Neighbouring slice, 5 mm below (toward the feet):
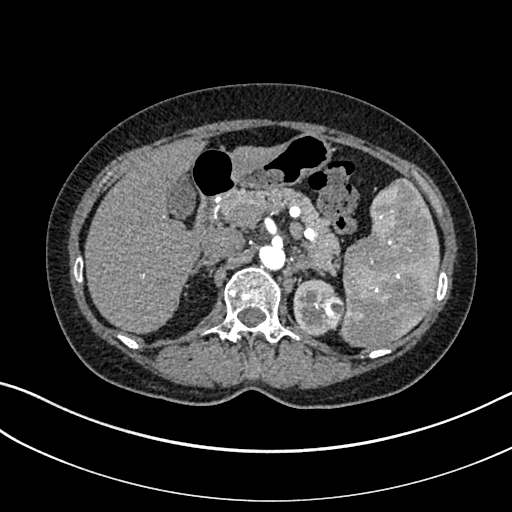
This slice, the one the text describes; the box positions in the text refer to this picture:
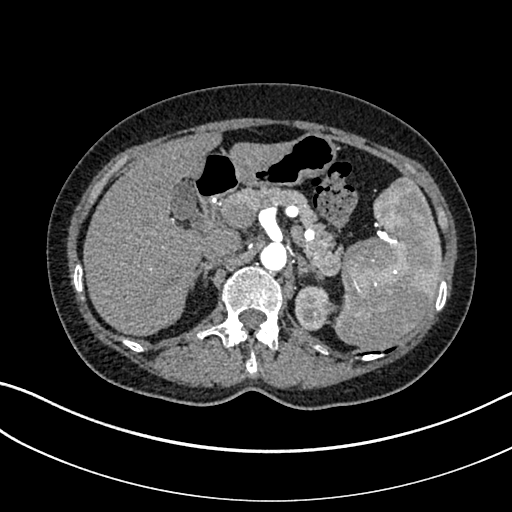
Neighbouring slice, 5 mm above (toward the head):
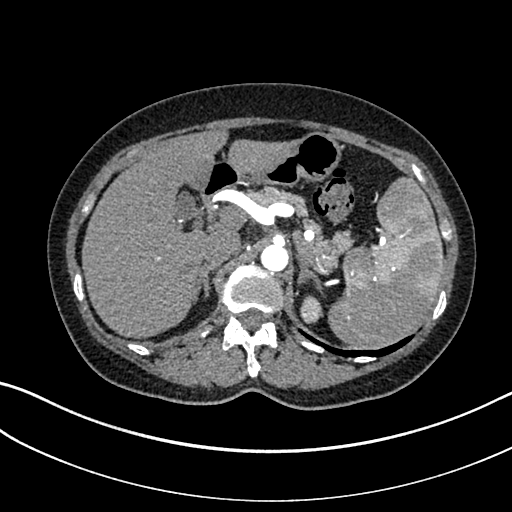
Arterial-phase contrast-enhanced abdominal CT, axial slice 242 of 325 (counted from the lowest slice); tube voltage 100 kVp, convolution kernel I30f; slices 1.00 mm thick, 0.703 mm per pixel.
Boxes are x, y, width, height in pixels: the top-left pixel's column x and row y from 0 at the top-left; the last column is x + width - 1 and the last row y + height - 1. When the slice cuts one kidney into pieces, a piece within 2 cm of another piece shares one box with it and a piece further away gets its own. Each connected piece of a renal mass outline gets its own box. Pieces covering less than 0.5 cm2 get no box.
Boxed on this slice (one kidney box and one renal mass box), listed by box centre from the image's left to its right: (1) Box x 294, y 285, width 35, height 46: left kidney (outlined area 1,250 px, about 6.2 cm2). (2) Box x 325, y 298, width 16, height 17: left renal mass (outlined area 150 px, about 0.7 cm2). This slice lies near the end of the left renal mass toward the head; the slices 5 mm below and 5 mm above it are shown too, and the boxes mark positions on this slice only.